Abdominal CT with intravenous contrast, arterial phase, axial plane, 100 kVp, kernel I26f. Slice 448/665 from the bottom of the scan; thickness 1.00 mm; pixel size 0.828 mm.
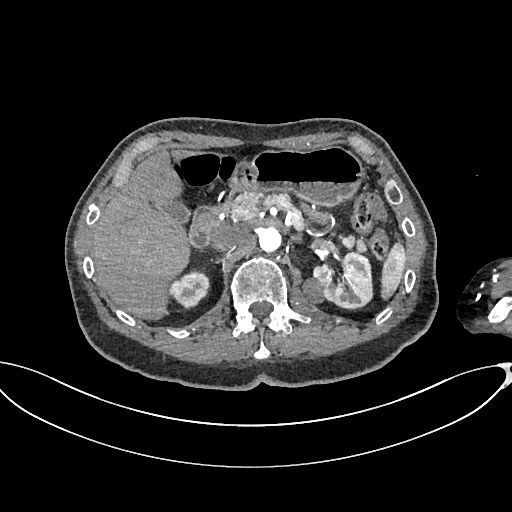
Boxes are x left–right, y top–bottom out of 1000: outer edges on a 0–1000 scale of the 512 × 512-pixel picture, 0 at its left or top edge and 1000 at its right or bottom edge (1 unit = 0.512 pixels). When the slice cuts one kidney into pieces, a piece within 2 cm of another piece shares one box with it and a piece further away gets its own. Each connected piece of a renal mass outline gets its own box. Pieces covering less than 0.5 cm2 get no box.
Two kidney boxes and one renal mass box on this slice; by box centre, from the image's left to its right: (1) Right kidney, box x 332–412, y 527–605 out of 1000 (outlined area 1,121 px, about 7.7 cm2). (2) Box x 584–635, y 541–594 out of 1000: left renal mass (outlined area 487 px, about 3.3 cm2). (3) Left kidney at x 609–729, y 488–602 out of 1000 (outlined area 2,468 px, about 16.9 cm2).